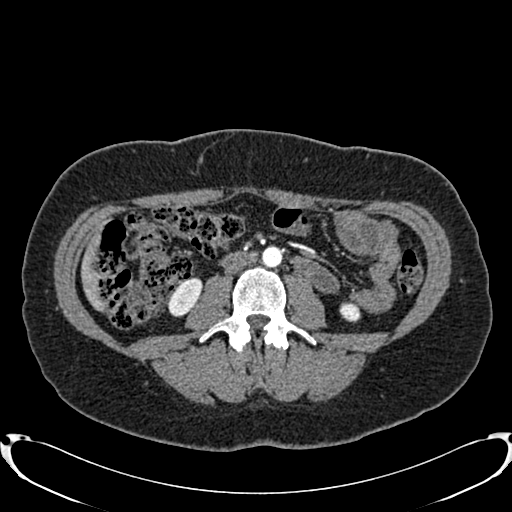
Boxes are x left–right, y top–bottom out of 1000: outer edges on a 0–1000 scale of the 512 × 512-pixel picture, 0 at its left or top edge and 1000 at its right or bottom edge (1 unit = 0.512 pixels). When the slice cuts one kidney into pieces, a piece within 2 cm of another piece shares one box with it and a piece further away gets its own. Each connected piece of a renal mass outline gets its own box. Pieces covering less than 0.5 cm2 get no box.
This is axial slice 375 of 719 (slice 1 is the lowest) of an arterial-phase abdominal CT with contrast; each pixel is 0.766 mm and the slice is 1.00 mm thick. Two boxes on this slice (two kidney boxes), listed by box centre from the image's left to its right. (1) Box x 324–395, y 541–619 out of 1000: right kidney (outlined area 921 px, about 5.4 cm2). (2) Left kidney at x 662–705, y 590–631 out of 1000 (outlined area 344 px, about 2.0 cm2). No renal mass outline on this slice.
Scan settings: 120 kVp, B20f reconstruction kernel.